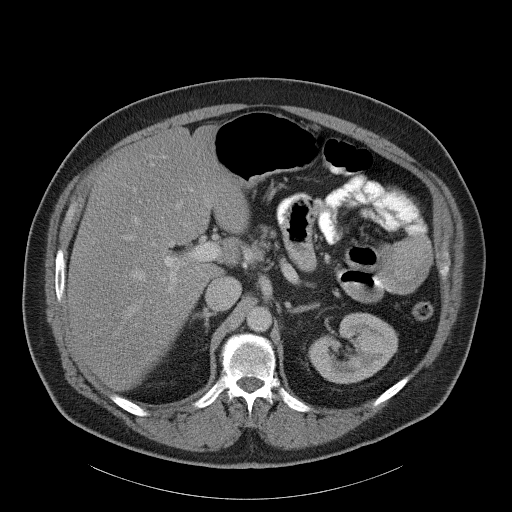
Axial slice 75 of 107 of a contrast-enhanced abdominal CT (slice 1 is the lowest), 120 kVp, kernel B31f; 5.00 mm slice thickness and 0.941 mm pixels.
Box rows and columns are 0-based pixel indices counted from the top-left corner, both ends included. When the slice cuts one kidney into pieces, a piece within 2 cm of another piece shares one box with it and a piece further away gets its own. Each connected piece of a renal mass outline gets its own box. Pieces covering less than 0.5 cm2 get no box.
Left kidney at rows 312–383, columns 308–398 (outlined area 4,415 px, about 39.1 cm2). No renal mass outline on this slice.